Abdominal CT with intravenous contrast, arterial phase, axial plane, 100 kVp, kernel I40f. Slice 42/97 from the bottom of the scan; thickness 3.00 mm; pixel size 0.797 mm.
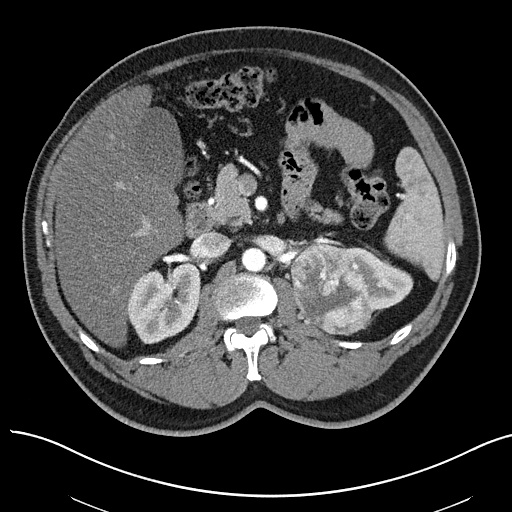
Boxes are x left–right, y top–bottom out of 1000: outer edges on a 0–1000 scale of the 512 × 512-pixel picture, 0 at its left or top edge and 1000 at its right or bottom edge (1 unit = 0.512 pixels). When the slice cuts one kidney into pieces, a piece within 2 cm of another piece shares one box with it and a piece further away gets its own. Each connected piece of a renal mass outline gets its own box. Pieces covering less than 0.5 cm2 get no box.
Three boxes on this slice (two kidney boxes and one renal mass box), listed by box centre from the image's left to its right. (1) Box x 246–393, y 510–674 out of 1000: right kidney (outlined area 4,542 px, about 28.8 cm2). (2) Box x 564–730, y 467–656 out of 1000: left renal mass (outlined area 6,095 px, about 38.7 cm2). (3) Left kidney at x 641–809, y 467–611 out of 1000 (outlined area 2,177 px, about 13.8 cm2).